One axial slice (326 of 527, counting up from the lowest) of an arterial-phase abdominal CT acquired with 120 kVp, kernel I30f; each pixel is 0.859 mm and the slice is 1.00 mm thick.
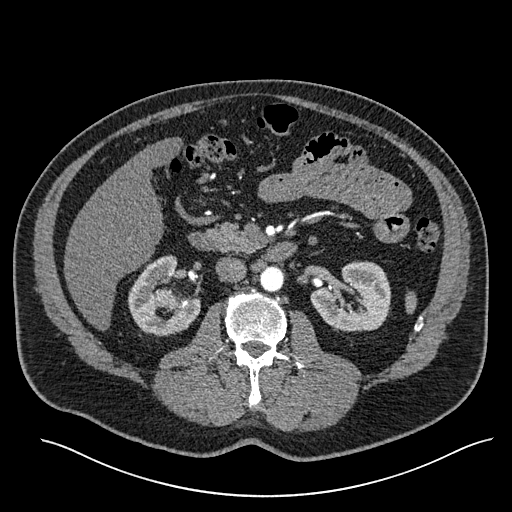
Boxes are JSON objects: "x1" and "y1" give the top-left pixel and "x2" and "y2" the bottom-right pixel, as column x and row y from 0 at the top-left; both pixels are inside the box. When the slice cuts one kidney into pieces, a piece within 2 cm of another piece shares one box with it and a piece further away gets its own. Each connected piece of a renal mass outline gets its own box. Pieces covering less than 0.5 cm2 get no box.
Two kidney boxes and one renal mass box on this slice; by box centre, from the image's left to its right: (1) Right kidney at {"x1": 127, "y1": 255, "x2": 201, "y2": 336} (outlined area 3,453 px, about 25.5 cm2). (2) Right renal mass, box {"x1": 154, "y1": 288, "x2": 175, "y2": 310} (outlined area 403 px, about 3.0 cm2). (3) Left kidney at {"x1": 310, "y1": 261, "x2": 391, "y2": 331} (outlined area 4,210 px, about 31.1 cm2).